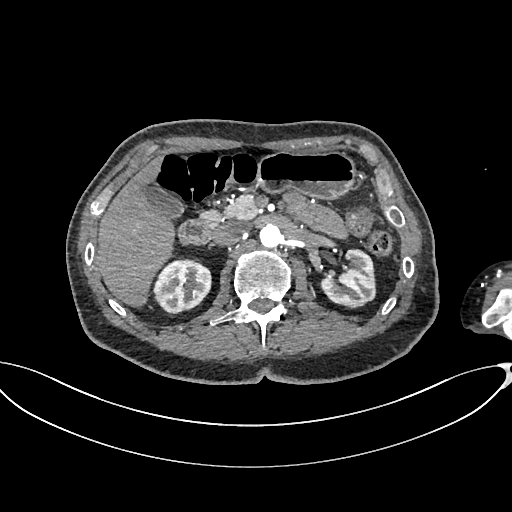
Arterial-phase contrast-enhanced abdominal CT, axial slice 426 of 665 (counted from the lowest slice); tube voltage 100 kVp, convolution kernel I26f; slices 1.00 mm thick, 0.828 mm per pixel.
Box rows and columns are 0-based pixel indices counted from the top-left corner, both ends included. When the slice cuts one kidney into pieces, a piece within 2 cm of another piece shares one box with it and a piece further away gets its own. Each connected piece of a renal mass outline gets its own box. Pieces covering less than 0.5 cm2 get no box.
Two boxes on this slice (two kidney boxes), listed by box centre from the image's left to its right. (1) Box rows 257–316, columns 153–211: right kidney (outlined area 2,540 px, about 17.4 cm2). (2) Left kidney at rows 249–308, columns 320–376 (outlined area 2,354 px, about 16.1 cm2).